Arterial-phase contrast-enhanced abdominal CT, axial slice 366 of 512 (counted from the lowest slice); tube voltage 120 kVp, convolution kernel B30f; slices 1.00 mm thick, 0.771 mm per pixel.
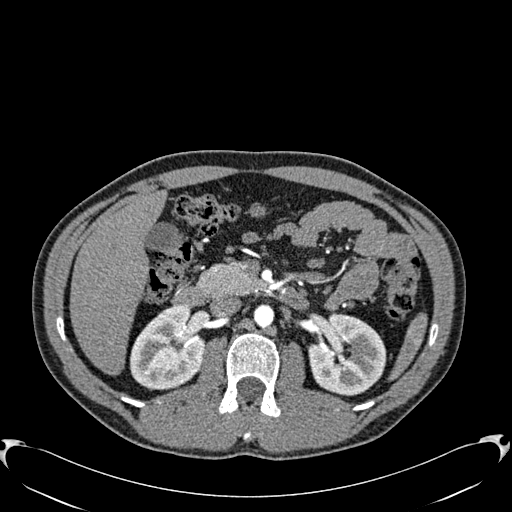
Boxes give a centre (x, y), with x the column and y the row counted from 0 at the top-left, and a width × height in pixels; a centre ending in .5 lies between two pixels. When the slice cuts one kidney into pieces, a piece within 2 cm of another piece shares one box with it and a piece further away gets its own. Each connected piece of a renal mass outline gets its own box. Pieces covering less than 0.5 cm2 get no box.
Two kidney boxes on this slice; by box centre, from the image's left to its right: (1) Right kidney, box centre (167, 347.5), 75 × 86 pixels (outlined area 4,736 px, about 28.2 cm2). (2) Left kidney, box centre (347, 354.5), 79 × 82 pixels (outlined area 4,875 px, about 29.0 cm2). No renal mass is outlined on this slice.